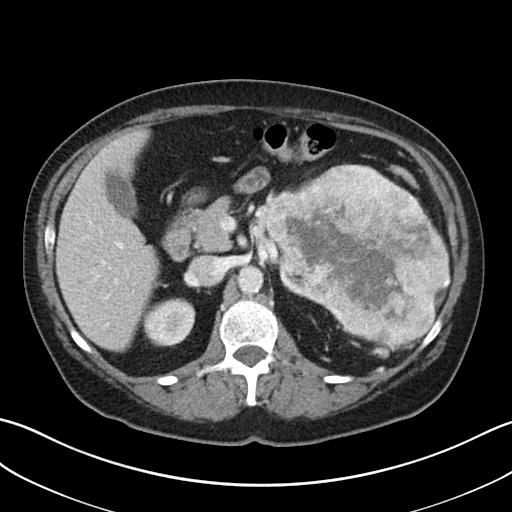
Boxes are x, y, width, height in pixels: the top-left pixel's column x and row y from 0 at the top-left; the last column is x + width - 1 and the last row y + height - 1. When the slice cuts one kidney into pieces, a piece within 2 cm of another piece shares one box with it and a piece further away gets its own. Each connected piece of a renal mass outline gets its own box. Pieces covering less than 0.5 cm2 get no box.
This is axial slice 24 of 38 (slice 1 is the lowest) of an abdominal CT with contrast; each pixel is 0.730 mm and the slice is 5.00 mm thick. Two kidney boxes and one renal mass box on this slice; by box centre, from the image's left to its right: (1) Right kidney at x 143, y 298, width 53, height 49 (outlined area 2,037 px, about 10.9 cm2). (2) Left kidney at x 278, y 263, width 47, height 45 (outlined area 745 px, about 4.0 cm2). (3) Left renal mass at x 263, y 163, width 189, height 188 (outlined area 23,298 px, about 124.3 cm2).
Tube voltage 100 kVp; convolution kernel I30f.